Abdominal CT with intravenous contrast, arterial phase, axial plane, 120 kVp, kernel B30f. Slice 247/532 from the bottom of the scan; thickness 1.00 mm; pixel size 0.713 mm.
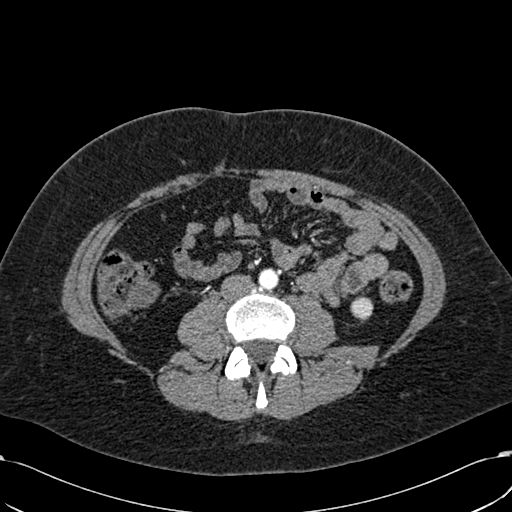
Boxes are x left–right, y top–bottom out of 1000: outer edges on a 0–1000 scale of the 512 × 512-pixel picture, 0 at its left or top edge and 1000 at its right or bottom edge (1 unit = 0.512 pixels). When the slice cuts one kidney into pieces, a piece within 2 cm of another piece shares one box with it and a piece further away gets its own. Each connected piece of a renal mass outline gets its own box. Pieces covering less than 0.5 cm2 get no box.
Left kidney, box x 684–730, y 578–625 out of 1000 (outlined area 436 px, about 2.2 cm2). This slice carries no renal mass outline.